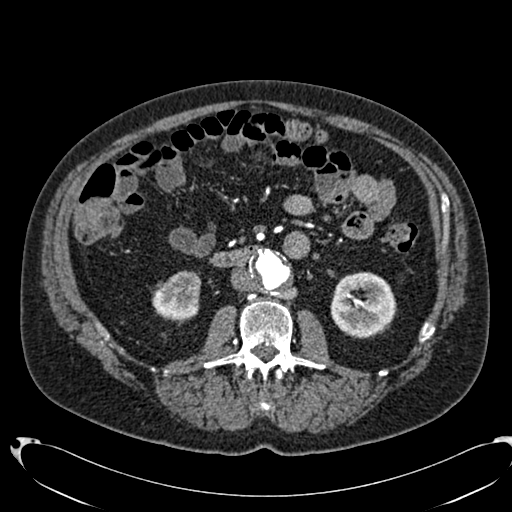
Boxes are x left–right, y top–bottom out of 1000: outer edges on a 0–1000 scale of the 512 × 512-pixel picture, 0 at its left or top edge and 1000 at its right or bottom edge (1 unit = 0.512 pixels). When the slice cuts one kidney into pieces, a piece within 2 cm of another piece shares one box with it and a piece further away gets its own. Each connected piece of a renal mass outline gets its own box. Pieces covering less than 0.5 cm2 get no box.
Slice 370/553 of a contrast-enhanced abdominal CT in the arterial phase, counting up from the lowest; pixel size 0.773 mm, slice thickness 1.00 mm. Two boxes on this slice (two kidney boxes), listed by box centre from the image's left to its right. (1) Box x 297–395, y 527–631 out of 1000: right kidney (outlined area 1,927 px, about 11.5 cm2). (2) Left kidney, box x 645–775, y 531–662 out of 1000 (outlined area 3,432 px, about 20.5 cm2). This slice carries no renal mass outline.
Acquired at 120 kVp and reconstructed with the B20f kernel.